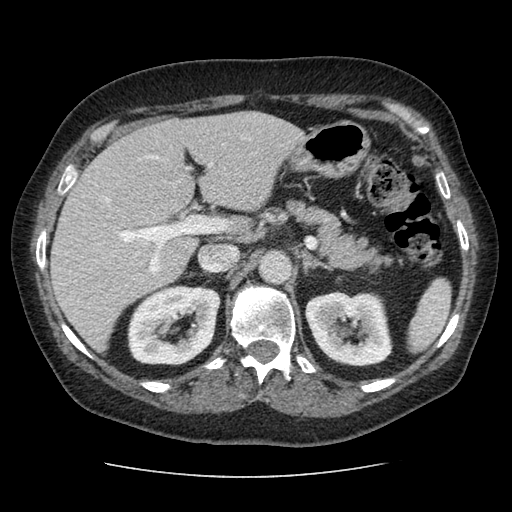
One axial slice (65 of 96, counting up from the lowest) of an arterial-phase abdominal CT acquired with 120 kVp, kernel STANDARD; each pixel is 0.689 mm and the slice is 2.50 mm thick.
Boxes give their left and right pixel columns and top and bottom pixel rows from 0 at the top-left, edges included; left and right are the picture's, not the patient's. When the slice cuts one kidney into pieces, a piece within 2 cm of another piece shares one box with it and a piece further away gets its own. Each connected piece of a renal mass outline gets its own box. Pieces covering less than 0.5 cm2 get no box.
Boxed on this slice (two kidney boxes), listed by box centre from the image's left to its right: (1) Right kidney, the box with left 127, top 284, right 220, bottom 365 (outlined area 5,855 px, about 27.8 cm2). (2) Left kidney, the box with left 305, top 292, right 392, bottom 366 (outlined area 5,262 px, about 25.0 cm2). No renal mass outline on this slice.